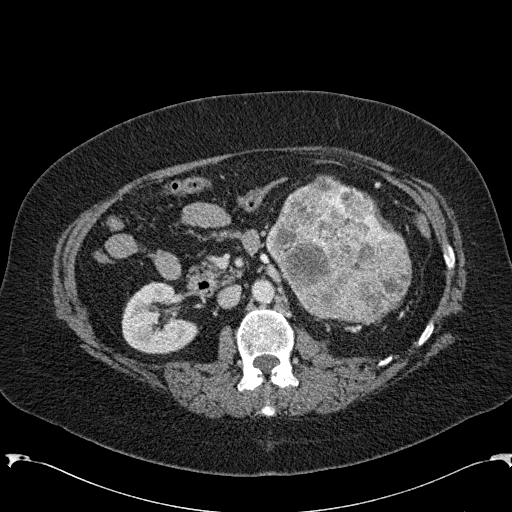
Axial slice 126 of 285 of a contrast-enhanced abdominal CT in the arterial phase (slice 1 is the lowest), 120 kVp, kernel B31f; 2.00 mm slice thickness and 0.762 mm pixels.
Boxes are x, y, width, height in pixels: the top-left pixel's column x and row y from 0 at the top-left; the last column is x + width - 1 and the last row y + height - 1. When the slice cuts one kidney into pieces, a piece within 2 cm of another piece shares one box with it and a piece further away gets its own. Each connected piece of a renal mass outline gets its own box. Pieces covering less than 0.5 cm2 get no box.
Two boxes on this slice (one kidney box and one renal mass box), listed by box centre from the image's left to its right. (1) Right kidney, box x 121, y 281, width 78, height 74 (outlined area 4,006 px, about 23.2 cm2). (2) Left renal mass, box x 265, y 175, width 148, height 149 (outlined area 15,405 px, about 89.4 cm2); here it is more than 1 cm from any kidney outline, though on another slice the same outlined renal mass lies within 1 cm of the kidney.